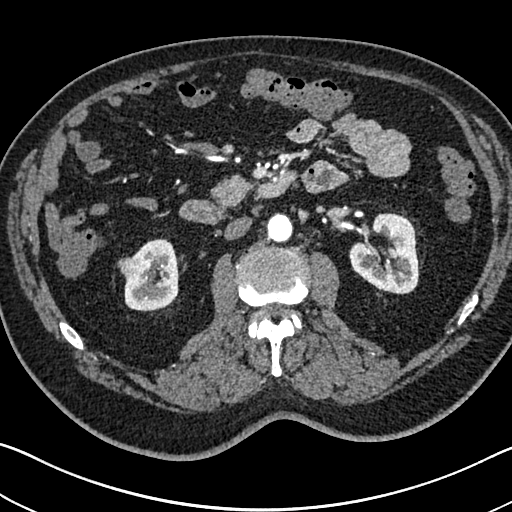
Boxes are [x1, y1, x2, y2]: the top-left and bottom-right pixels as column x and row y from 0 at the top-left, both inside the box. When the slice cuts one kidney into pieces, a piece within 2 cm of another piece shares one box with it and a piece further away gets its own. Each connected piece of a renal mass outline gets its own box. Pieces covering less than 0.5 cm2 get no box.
Slice 402/705 of a contrast-enhanced abdominal CT in the arterial phase, counting up from the lowest; pixel size 0.703 mm, slice thickness 1.00 mm. Boxed on this slice (two kidney boxes and one renal mass box), listed by box centre from the image's left to its right: (1) Box [117, 255, 147, 283]: right renal mass (outlined area 582 px, about 2.9 cm2). (2) Right kidney at [124, 238, 178, 311] (outlined area 2,824 px, about 14.0 cm2). (3) Left kidney, box [349, 212, 420, 294] (outlined area 4,134 px, about 20.4 cm2).
Acquired at 120 kVp and reconstructed with the I30f kernel.